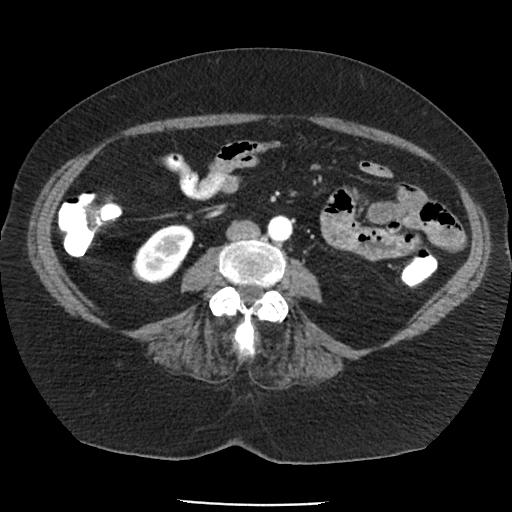
One axial slice (46 of 85, counting up from the lowest) of an arterial-phase abdominal CT acquired with 120 kVp, kernel FC19; each pixel is 0.741 mm and the slice is 5.00 mm thick.
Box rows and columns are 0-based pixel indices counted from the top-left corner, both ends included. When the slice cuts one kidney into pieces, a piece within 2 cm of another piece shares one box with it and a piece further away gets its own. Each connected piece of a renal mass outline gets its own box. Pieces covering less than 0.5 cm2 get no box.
Right kidney at rows 224–283, columns 132–194 (outlined area 2,539 px, about 13.9 cm2). No renal mass is outlined on this slice.